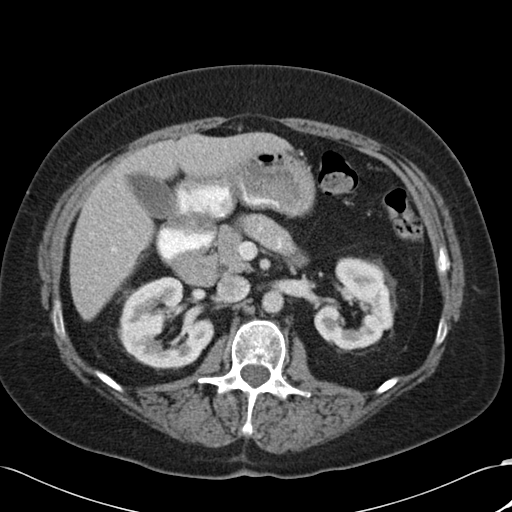
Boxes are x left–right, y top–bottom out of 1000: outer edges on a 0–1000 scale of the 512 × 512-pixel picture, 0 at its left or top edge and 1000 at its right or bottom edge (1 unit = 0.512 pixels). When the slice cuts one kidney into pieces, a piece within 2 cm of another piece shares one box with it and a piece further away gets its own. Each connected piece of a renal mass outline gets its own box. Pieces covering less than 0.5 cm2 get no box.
This is axial slice 63 of 88 (slice 1 is the lowest) of an arterial-phase abdominal CT with contrast; each pixel is 0.691 mm and the slice is 5.00 mm thick. Two kidney boxes on this slice; by box centre, from the image's left to its right: (1) Right kidney at x 229–420, y 539–725 out of 1000 (outlined area 6,156 px, about 29.4 cm2). (2) Left kidney, box x 611–770, y 500–686 out of 1000 (outlined area 4,939 px, about 23.6 cm2). No renal mass outline on this slice.
Scan settings: 120 kVp, B30f reconstruction kernel.